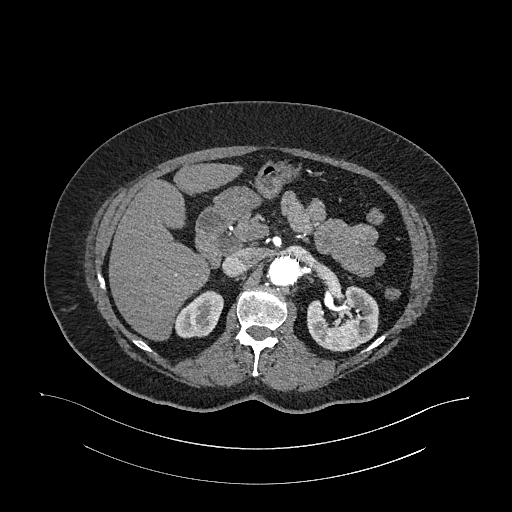
Abdominal CT with intravenous contrast, arterial phase, axial plane, 120 kVp, kernel I26f. Slice 710/987 from the bottom of the scan; thickness 1.00 mm; pixel size 0.977 mm.
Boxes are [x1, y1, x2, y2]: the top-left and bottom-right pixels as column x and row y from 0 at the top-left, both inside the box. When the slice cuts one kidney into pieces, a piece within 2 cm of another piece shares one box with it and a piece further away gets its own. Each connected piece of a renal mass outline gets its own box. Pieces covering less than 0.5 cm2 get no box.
Two kidney boxes on this slice; by box centre, from the image's left to its right: (1) Right kidney, box [174, 290, 223, 338] (outlined area 1,670 px, about 15.9 cm2). (2) Left kidney at [307, 285, 378, 351] (outlined area 3,583 px, about 34.2 cm2). No renal mass is outlined on this slice.